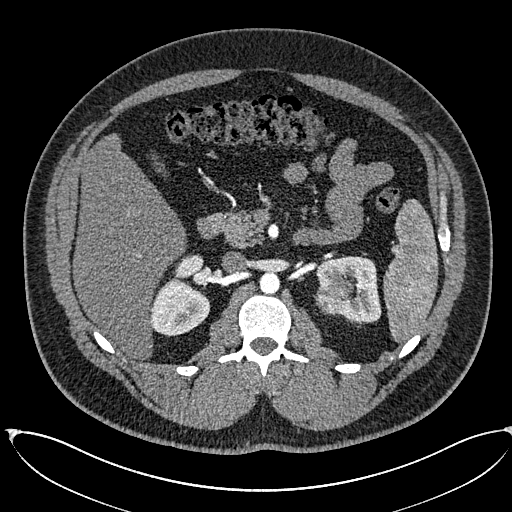
One axial slice (387 of 673, counting up from the lowest) of an arterial-phase abdominal CT acquired with 120 kVp, kernel I30f; each pixel is 0.855 mm and the slice is 1.00 mm thick.
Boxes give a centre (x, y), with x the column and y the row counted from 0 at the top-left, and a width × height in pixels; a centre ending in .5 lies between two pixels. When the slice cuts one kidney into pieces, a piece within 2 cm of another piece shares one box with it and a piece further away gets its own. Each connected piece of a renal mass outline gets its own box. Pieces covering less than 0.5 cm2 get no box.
Two kidney boxes and one renal mass box on this slice; by box centre, from the image's left to its right: (1) Right kidney in a box with centre (180, 295.5), 61 × 82 pixels (outlined area 3,022 px, about 22.1 cm2). (2) Left renal mass, box centre (335, 295), 41 × 39 pixels (outlined area 1,232 px, about 9.0 cm2). (3) Box centre (348.5, 289.5), 66 × 68 pixels: left kidney (outlined area 2,444 px, about 17.9 cm2).